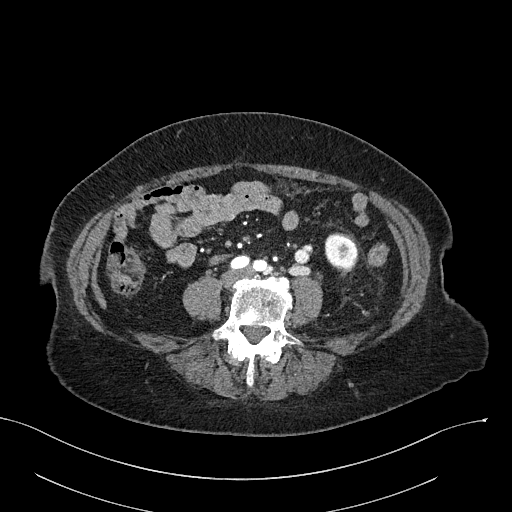
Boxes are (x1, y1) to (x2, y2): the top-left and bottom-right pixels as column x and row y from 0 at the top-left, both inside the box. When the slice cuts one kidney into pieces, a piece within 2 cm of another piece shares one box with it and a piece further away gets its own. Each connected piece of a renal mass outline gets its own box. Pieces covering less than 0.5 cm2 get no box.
This is axial slice 71 of 316 (slice 1 is the lowest) of an arterial-phase abdominal CT with contrast; each pixel is 0.840 mm and the slice is 2.00 mm thick. Left kidney from (325, 234) to (357, 269) (outlined area 973 px, about 6.9 cm2). No renal mass is outlined on this slice.
Acquired at 100 kVp and reconstructed with the I40f kernel.